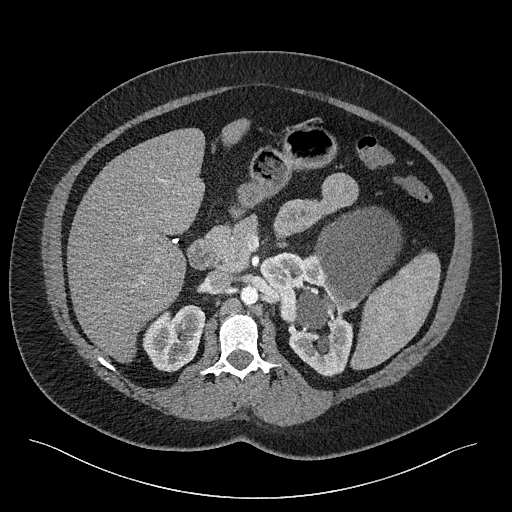
Contrast-enhanced abdominal CT, axial slice 153 of 301 (counted from the lowest slice); tube voltage 120 kVp, convolution kernel I40f; slices 2.00 mm thick, 0.859 mm per pixel.
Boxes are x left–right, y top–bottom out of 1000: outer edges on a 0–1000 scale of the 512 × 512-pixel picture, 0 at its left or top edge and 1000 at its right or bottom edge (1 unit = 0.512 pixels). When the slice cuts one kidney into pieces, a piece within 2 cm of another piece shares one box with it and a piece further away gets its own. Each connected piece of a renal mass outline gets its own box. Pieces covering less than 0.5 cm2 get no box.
Two kidney boxes and two renal mass boxes on this slice; by box centre, from the image's left to its right: (1) Box x 277–402, y 596–729 out of 1000: right kidney (outlined area 3,028 px, about 22.4 cm2). (2) Left kidney at x 506–691, y 492–736 out of 1000 (outlined area 5,269 px, about 38.9 cm2). (3) Left renal mass, box x 576–646, y 563–646 out of 1000 (outlined area 1,207 px, about 8.9 cm2). (4) Box x 611–785, y 402–613 out of 1000: left renal mass (outlined area 6,085 px, about 44.9 cm2).